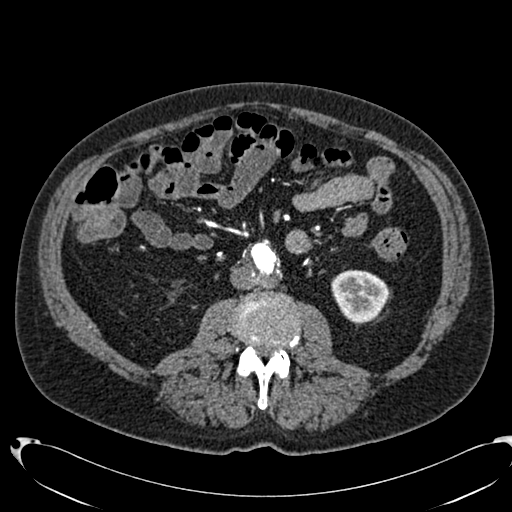
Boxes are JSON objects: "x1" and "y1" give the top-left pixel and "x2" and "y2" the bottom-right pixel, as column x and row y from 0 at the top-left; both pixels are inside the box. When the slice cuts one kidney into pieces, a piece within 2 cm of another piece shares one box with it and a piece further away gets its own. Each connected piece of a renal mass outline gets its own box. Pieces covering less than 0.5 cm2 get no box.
This is axial slice 341 of 553 (slice 1 is the lowest) of an arterial-phase abdominal CT with contrast; each pixel is 0.773 mm and the slice is 1.00 mm thick. Box {"x1": 331, "y1": 270, "x2": 388, "y2": 323}: left kidney (outlined area 2,380 px, about 14.2 cm2). No renal mass is outlined on this slice.
Tube voltage 120 kVp; convolution kernel B20f.